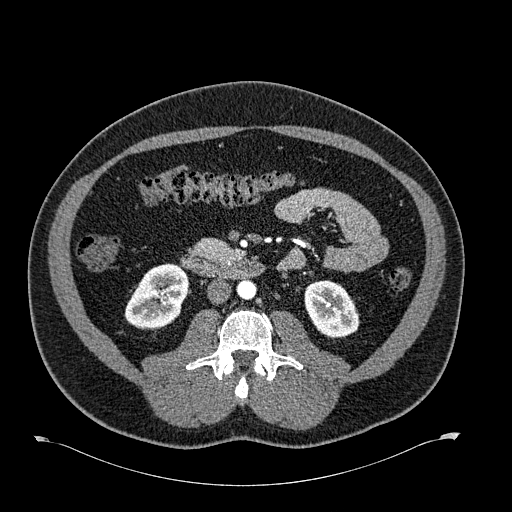
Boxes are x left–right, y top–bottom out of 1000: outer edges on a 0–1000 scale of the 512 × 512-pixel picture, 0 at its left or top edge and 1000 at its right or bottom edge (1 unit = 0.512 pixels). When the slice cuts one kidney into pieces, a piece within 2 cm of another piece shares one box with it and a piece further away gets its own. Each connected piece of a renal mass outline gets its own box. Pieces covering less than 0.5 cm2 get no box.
Slice 314/723 of a contrast-enhanced abdominal CT in the arterial phase, counting up from the lowest; pixel size 0.895 mm, slice thickness 1.00 mm. Boxed on this slice (two kidney boxes), listed by box centre from the image's left to its right: (1) Right kidney at x 242–367, y 514–645 out of 1000 (outlined area 3,068 px, about 24.5 cm2). (2) Left kidney, box x 594–703, y 547–662 out of 1000 (outlined area 2,455 px, about 19.6 cm2). No renal mass outline on this slice.
Tube voltage 120 kVp; convolution kernel B30f.